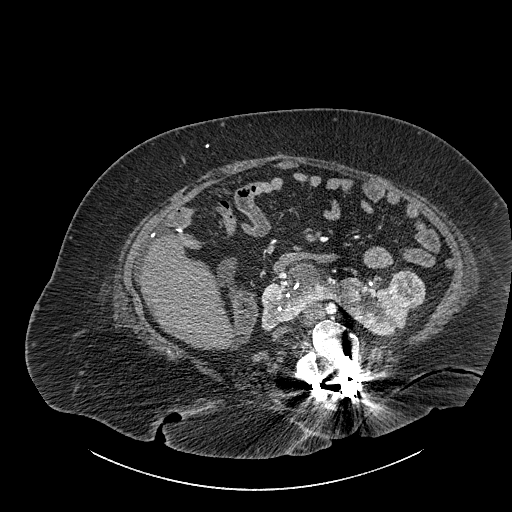
Axial slice 494 of 834 of a contrast-enhanced abdominal CT (slice 1 is the lowest), 140 kVp, kernel I30f; 1.00 mm slice thickness and 0.977 mm pixels.
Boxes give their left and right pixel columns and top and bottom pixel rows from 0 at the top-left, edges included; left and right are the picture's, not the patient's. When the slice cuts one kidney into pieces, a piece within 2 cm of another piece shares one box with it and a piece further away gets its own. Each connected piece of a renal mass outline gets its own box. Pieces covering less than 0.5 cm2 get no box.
Two boxes on this slice (one kidney box and one renal mass box), listed by box centre from the image's left to its right. (1) Kidney crossing the body midline, the box with left 261, top 261, right 419, bottom 336 (outlined area 5,586 px, about 53.3 cm2). (2) Renal mass, the box with left 388, top 268, right 425, bottom 308 (outlined area 1,186 px, about 11.3 cm2).